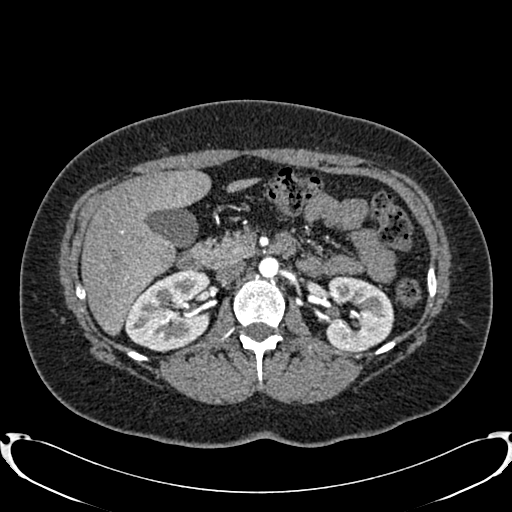
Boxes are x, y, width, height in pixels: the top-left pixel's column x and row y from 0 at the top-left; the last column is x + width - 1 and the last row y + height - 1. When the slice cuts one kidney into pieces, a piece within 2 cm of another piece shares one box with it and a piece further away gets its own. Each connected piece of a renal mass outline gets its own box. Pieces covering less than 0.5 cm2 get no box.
Slice 488/719 of a contrast-enhanced abdominal CT in the arterial phase, counting up from the lowest; pixel size 0.766 mm, slice thickness 1.00 mm. Two boxes on this slice (two kidney boxes), listed by box centre from the image's left to its right. (1) Right kidney at x 125, y 269, width 86, height 84 (outlined area 5,401 px, about 31.7 cm2). (2) Left kidney at x 325, y 275, width 70, height 76 (outlined area 4,022 px, about 23.6 cm2). No renal mass is outlined on this slice.
Tube voltage 120 kVp; convolution kernel B20f.